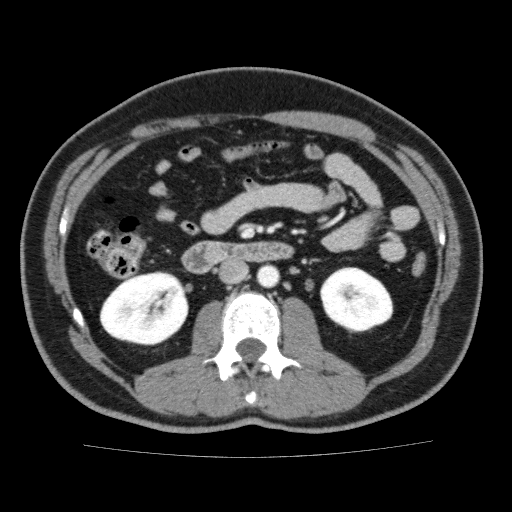
Axial slice 95 of 159 of a contrast-enhanced abdominal CT (slice 1 is the lowest), 120 kVp, kernel FC13; 3.00 mm slice thickness and 0.668 mm pixels.
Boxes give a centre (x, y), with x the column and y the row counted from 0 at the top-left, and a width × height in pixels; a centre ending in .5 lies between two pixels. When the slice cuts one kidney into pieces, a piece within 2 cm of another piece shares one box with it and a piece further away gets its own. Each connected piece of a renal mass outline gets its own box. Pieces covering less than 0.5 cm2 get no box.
Two boxes on this slice (two kidney boxes), listed by box centre from the image's left to its right. (1) Box centre (143.5, 307.5), 90 × 76 pixels: right kidney (outlined area 5,158 px, about 23.0 cm2). (2) Box centre (356.5, 299), 74 × 67 pixels: left kidney (outlined area 3,662 px, about 16.3 cm2). No renal mass is outlined on this slice.